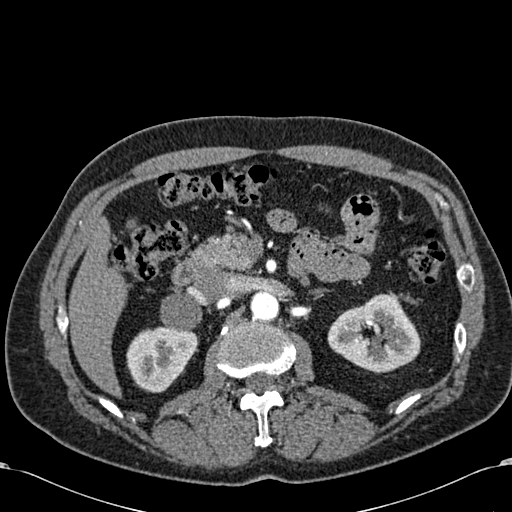
Arterial-phase contrast-enhanced abdominal CT, axial slice 386 of 581 (counted from the lowest slice); tube voltage 120 kVp, convolution kernel B30f; slices 1.00 mm thick, 0.713 mm per pixel.
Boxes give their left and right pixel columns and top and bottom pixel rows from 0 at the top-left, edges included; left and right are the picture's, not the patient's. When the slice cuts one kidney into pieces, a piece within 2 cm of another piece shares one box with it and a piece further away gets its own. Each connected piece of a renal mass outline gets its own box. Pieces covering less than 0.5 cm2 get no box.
Two boxes on this slice (two kidney boxes), listed by box centre from the image's left to its right. (1) Box with left 126, top 325, right 198, bottom 392: right kidney (outlined area 3,531 px, about 17.9 cm2). (2) Box with left 327, top 292, right 420, bottom 373: left kidney (outlined area 5,141 px, about 26.1 cm2). No renal mass is outlined on this slice.